One axial slice (43 of 88, counting up from the lowest) of an arterial-phase abdominal CT acquired with 100 kVp, kernel I40f; each pixel is 0.705 mm and the slice is 5.00 mm thick.
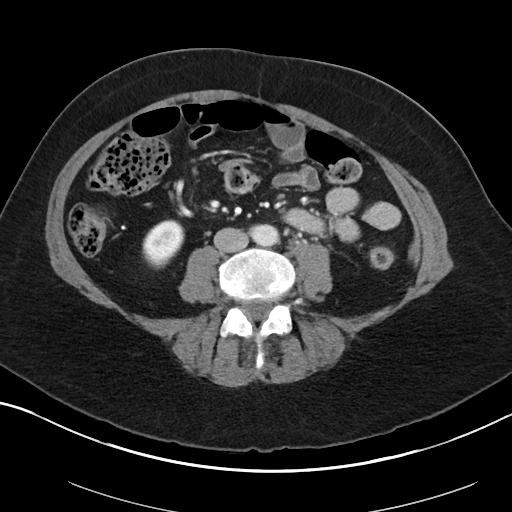
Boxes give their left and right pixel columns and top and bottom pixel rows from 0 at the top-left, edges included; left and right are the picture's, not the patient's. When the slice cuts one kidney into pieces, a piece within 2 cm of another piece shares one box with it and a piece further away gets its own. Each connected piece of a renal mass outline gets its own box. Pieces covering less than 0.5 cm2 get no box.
Box with left 142, top 219, right 184, bottom 269: right kidney (outlined area 1,525 px, about 7.6 cm2). This slice carries no renal mass outline.